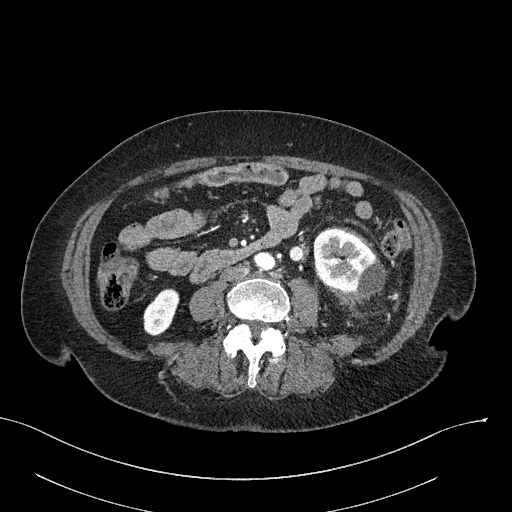
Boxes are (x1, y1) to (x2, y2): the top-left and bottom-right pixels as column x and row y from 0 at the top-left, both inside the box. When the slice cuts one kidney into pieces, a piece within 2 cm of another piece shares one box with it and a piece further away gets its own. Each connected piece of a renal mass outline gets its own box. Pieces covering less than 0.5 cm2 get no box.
This is axial slice 89 of 316 (slice 1 is the lowest) of an arterial-phase abdominal CT with contrast; each pixel is 0.840 mm and the slice is 2.00 mm thick. Two kidney boxes on this slice; by box centre, from the image's left to its right: (1) Right kidney from (143, 288) to (179, 335) (outlined area 1,213 px, about 8.6 cm2). (2) Left kidney, box (313, 229) to (386, 296) (outlined area 3,622 px, about 25.5 cm2). No renal mass is outlined on this slice.
Acquired at 100 kVp and reconstructed with the I40f kernel.